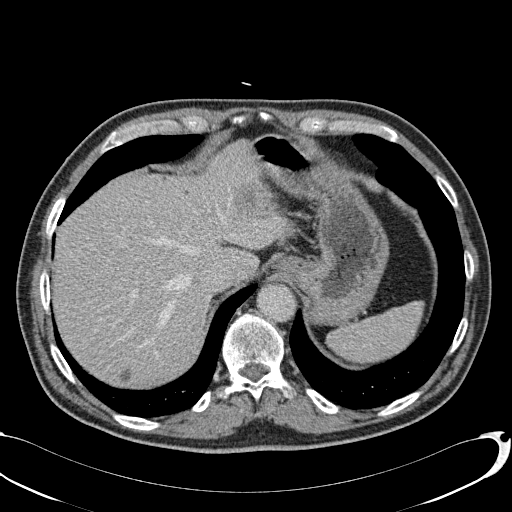
Abdominal CT with intravenous contrast, axial plane, 120 kVp, kernel B31f. Slice 88/113 from the bottom of the scan; thickness 2.00 mm; pixel size 0.742 mm.
This slice carries no outline: it lies beyond the outlined kidneys and beyond every outlined renal mass. Other organs are not outlined in this scan.